One axial slice (154 of 470, counting up from the lowest) of an arterial-phase abdominal CT acquired with 120 kVp, kernel I26f; each pixel is 0.938 mm and the slice is 1.00 mm thick.
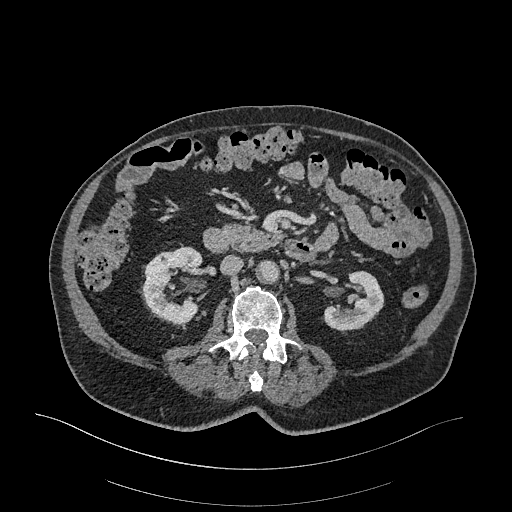
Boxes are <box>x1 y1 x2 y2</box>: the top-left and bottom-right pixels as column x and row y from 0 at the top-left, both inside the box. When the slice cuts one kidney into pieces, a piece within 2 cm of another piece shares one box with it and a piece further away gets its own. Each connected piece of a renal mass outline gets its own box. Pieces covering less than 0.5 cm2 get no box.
Two boxes on this slice (two kidney boxes), listed by box centre from the image's left to its right. (1) At <box>139 246 202 325</box>: right kidney (outlined area 3,516 px, about 30.9 cm2). (2) Left kidney: <box>323 271 384 330</box> (outlined area 2,337 px, about 20.5 cm2). No renal mass is outlined on this slice.